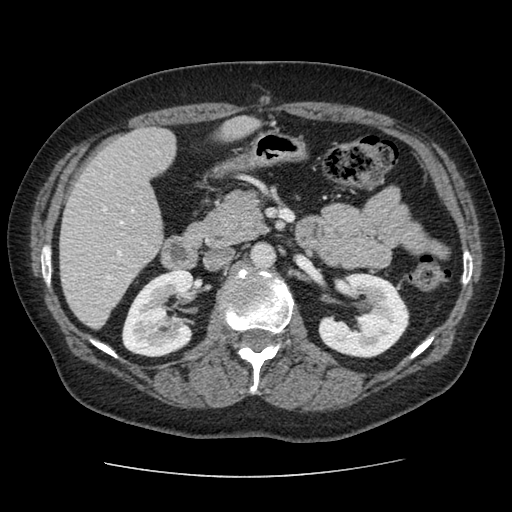
Arterial-phase contrast-enhanced abdominal CT, axial slice 50 of 96 (counted from the lowest slice); tube voltage 120 kVp, convolution kernel STANDARD; slices 2.50 mm thick, 0.689 mm per pixel.
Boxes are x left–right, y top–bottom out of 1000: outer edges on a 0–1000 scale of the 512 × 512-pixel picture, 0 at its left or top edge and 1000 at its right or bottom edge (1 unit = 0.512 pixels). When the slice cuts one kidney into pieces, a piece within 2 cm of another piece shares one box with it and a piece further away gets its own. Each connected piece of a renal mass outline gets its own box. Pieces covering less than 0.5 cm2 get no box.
Boxed on this slice (two kidney boxes), listed by box centre from the image's left to its right: (1) Right kidney at x 236–379, y 527–699 out of 1000 (outlined area 4,846 px, about 23.0 cm2). (2) Left kidney at x 621–801, y 533–701 out of 1000 (outlined area 5,368 px, about 25.5 cm2). No renal mass outline on this slice.